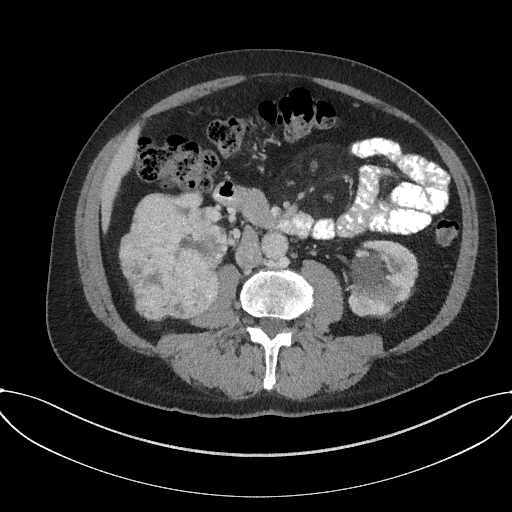
Abdominal CT with intravenous contrast, arterial phase, axial plane, 120 kVp, kernel I31f. Slice 85/227 from the bottom of the scan; thickness 3.00 mm; pixel size 0.816 mm.
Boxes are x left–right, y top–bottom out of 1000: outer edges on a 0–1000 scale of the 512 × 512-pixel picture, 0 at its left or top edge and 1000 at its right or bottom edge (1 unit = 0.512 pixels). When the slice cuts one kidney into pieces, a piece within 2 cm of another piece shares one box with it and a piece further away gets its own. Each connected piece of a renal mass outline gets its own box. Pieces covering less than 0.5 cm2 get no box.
Boxed on this slice (two kidney boxes and one renal mass box), listed by box centre from the image's left to its right: (1) Box x 230–434, y 377–627 out of 1000: right renal mass (outlined area 9,867 px, about 65.8 cm2). (2) Right kidney, box x 344–445, y 373–525 out of 1000 (outlined area 1,116 px, about 7.4 cm2). (3) Left kidney, box x 682–818, y 469–619 out of 1000 (outlined area 4,024 px, about 26.8 cm2).